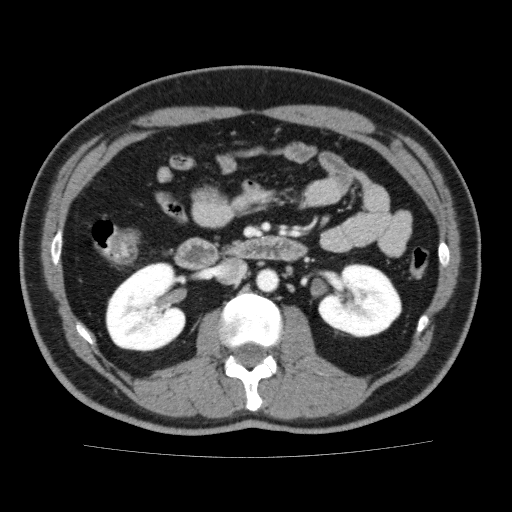
Abdominal CT with intravenous contrast, axial plane, 120 kVp, kernel FC13. Slice 99/159 from the bottom of the scan; thickness 3.00 mm; pixel size 0.668 mm.
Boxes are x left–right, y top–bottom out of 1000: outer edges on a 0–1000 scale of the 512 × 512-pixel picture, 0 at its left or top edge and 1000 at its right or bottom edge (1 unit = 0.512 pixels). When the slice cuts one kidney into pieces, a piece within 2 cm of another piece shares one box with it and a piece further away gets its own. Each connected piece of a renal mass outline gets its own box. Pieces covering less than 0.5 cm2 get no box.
Boxed on this slice (two kidney boxes), listed by box centre from the image's left to its right: (1) Box x 205–363, y 512–689 out of 1000: right kidney (outlined area 5,565 px, about 24.8 cm2). (2) Left kidney at x 621–787, y 514–660 out of 1000 (outlined area 4,606 px, about 20.6 cm2). This slice carries no renal mass outline.